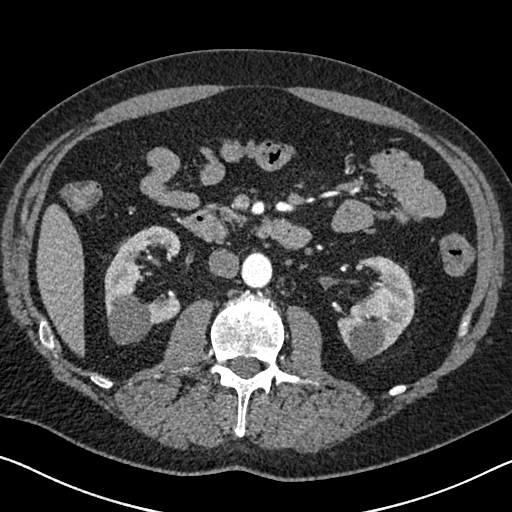
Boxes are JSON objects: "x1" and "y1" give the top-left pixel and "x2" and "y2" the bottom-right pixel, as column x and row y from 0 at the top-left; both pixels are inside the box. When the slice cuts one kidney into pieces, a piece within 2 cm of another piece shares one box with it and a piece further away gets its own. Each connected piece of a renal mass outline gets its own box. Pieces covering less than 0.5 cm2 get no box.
Arterial-phase contrast-enhanced abdominal CT, axial slice 366 of 626 (counted from the lowest slice); 1.00 mm thick, 0.703 mm per pixel. Two boxes on this slice (two kidney boxes), listed by box centre from the image's left to its right. (1) Right kidney at {"x1": 104, "y1": 225, "x2": 181, "y2": 344} (outlined area 5,516 px, about 27.3 cm2). (2) Left kidney at {"x1": 337, "y1": 255, "x2": 415, "y2": 361} (outlined area 5,075 px, about 25.1 cm2). No renal mass outline on this slice.
Scan settings: 120 kVp, I30f reconstruction kernel.